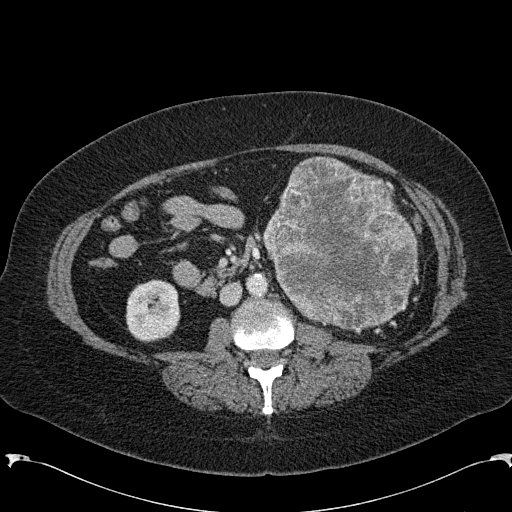
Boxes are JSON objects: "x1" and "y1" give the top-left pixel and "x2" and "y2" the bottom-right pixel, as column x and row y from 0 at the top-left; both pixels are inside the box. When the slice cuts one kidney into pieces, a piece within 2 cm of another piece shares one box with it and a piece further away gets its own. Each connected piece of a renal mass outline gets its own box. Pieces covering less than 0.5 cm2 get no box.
Slice 106/285 of a contrast-enhanced abdominal CT in the arterial phase, counting up from the lowest; pixel size 0.762 mm, slice thickness 2.00 mm. Boxed on this slice (one kidney box and one renal mass box), listed by box centre from the image's left to its right: (1) Box {"x1": 125, "y1": 279, "x2": 180, "y2": 342}: right kidney (outlined area 2,824 px, about 16.4 cm2). (2) Box {"x1": 261, "y1": 156, "x2": 418, "y2": 330}: left renal mass (outlined area 19,990 px, about 116.0 cm2); here it is more than 1 cm from any kidney outline, though on another slice the same outlined renal mass lies within 1 cm of the kidney.
Tube voltage 120 kVp; convolution kernel B31f.